Axial slice 285 of 673 of a contrast-enhanced abdominal CT in the arterial phase (slice 1 is the lowest), 120 kVp, kernel I30f; 1.00 mm slice thickness and 0.855 mm pixels.
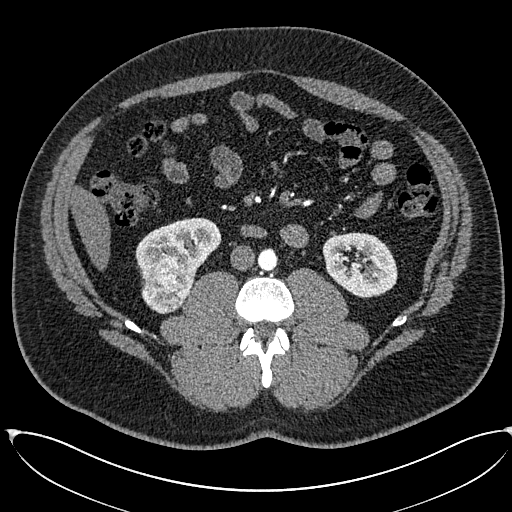
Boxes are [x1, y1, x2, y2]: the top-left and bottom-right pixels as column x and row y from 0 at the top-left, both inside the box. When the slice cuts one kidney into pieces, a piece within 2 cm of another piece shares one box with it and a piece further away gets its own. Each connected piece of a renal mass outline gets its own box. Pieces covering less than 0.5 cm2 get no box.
Two kidney boxes and one renal mass box on this slice; by box centre, from the image's left to its right: (1) Right renal mass, box [141, 256, 194, 313] (outlined area 2,287 px, about 16.7 cm2). (2) Right kidney, box [135, 217, 221, 281] (outlined area 3,166 px, about 23.2 cm2). (3) Left kidney at [322, 232, 397, 297] (outlined area 3,750 px, about 27.4 cm2).